Arterial-phase contrast-enhanced abdominal CT, axial slice 98 of 326 (counted from the lowest slice); tube voltage 120 kVp, convolution kernel B31f; slices 2.00 mm thick, 0.963 mm per pixel.
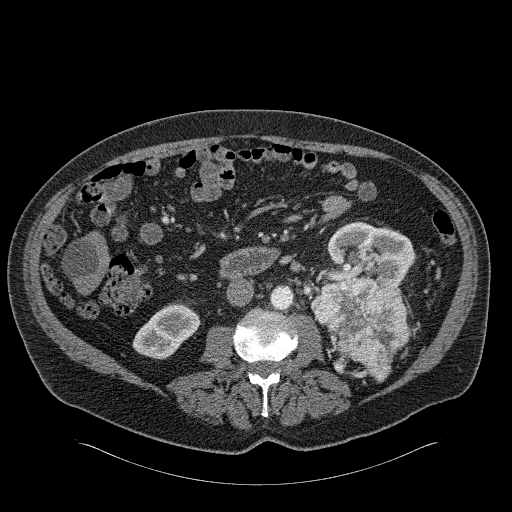
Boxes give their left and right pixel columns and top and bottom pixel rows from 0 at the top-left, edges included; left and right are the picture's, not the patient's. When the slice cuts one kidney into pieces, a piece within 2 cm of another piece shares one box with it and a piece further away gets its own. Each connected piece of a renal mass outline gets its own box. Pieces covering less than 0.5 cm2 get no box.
Boxed on this slice (two kidney boxes and one renal mass box), listed by box centre from the image's left to its right: (1) Right kidney, the box with left 132, top 302, right 200, bottom 359 (outlined area 2,493 px, about 23.1 cm2). (2) Left renal mass, the box with left 310, top 277, right 410, bottom 381 (outlined area 6,624 px, about 61.4 cm2). (3) Box with left 311, top 221, right 415, bottom 300: left kidney (outlined area 4,688 px, about 43.5 cm2).